Axial slice 175 of 304 of a contrast-enhanced abdominal CT in the arterial phase (slice 1 is the lowest), 100 kVp, kernel I30f; 2.00 mm slice thickness and 0.809 mm pixels.
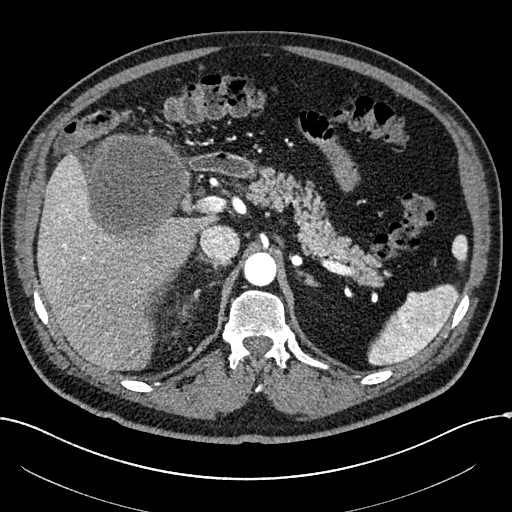
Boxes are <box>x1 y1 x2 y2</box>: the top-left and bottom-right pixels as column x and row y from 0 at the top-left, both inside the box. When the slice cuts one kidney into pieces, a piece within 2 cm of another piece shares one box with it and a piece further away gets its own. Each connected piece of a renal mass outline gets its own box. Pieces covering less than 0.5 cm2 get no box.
Right renal mass: <box>73 133 191 248</box> (outlined area 9,728 px, about 63.6 cm2); no kidney outline appears on this slice, but the same outlined renal mass comes within 1 cm of the kidney on another slice.